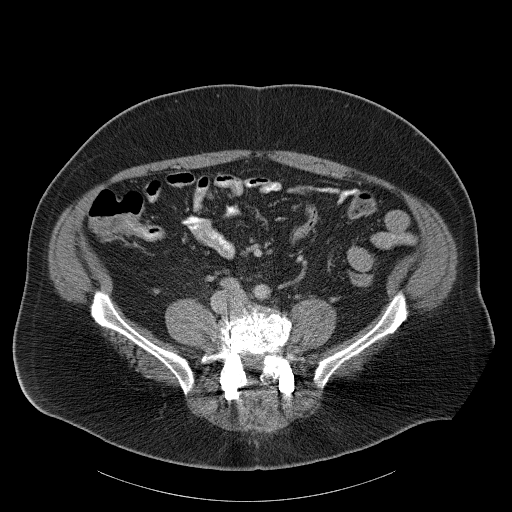
Axial slice 44 of 107 of a contrast-enhanced abdominal CT (slice 1 is the lowest), 120 kVp, kernel B31f; 5.00 mm slice thickness and 0.941 mm pixels.
Outside the outlined region: no kidney outline and no renal mass outline on this slice. The scan's outlines cover only kidneys and renal masses; no other organ is outlined.